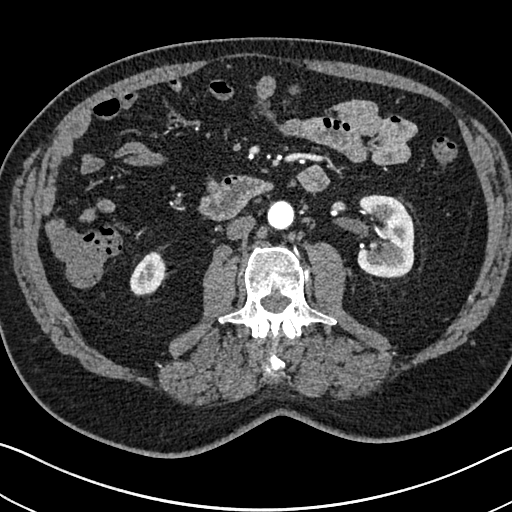
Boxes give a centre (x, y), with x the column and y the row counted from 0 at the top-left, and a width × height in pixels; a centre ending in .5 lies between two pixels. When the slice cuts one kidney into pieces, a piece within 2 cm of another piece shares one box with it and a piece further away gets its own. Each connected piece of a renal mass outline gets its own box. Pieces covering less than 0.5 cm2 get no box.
Slice 362/705 of a contrast-enhanced abdominal CT in the arterial phase, counting up from the lowest; pixel size 0.703 mm, slice thickness 1.00 mm. Two boxes on this slice (two kidney boxes), listed by box centre from the image's left to its right. (1) Box centre (146.5, 273), 36 × 45 pixels: right kidney (outlined area 1,112 px, about 5.5 cm2). (2) Box centre (385.5, 235.5), 58 × 84 pixels: left kidney (outlined area 3,969 px, about 19.6 cm2). No renal mass is outlined on this slice.
Tube voltage 120 kVp; convolution kernel I30f.